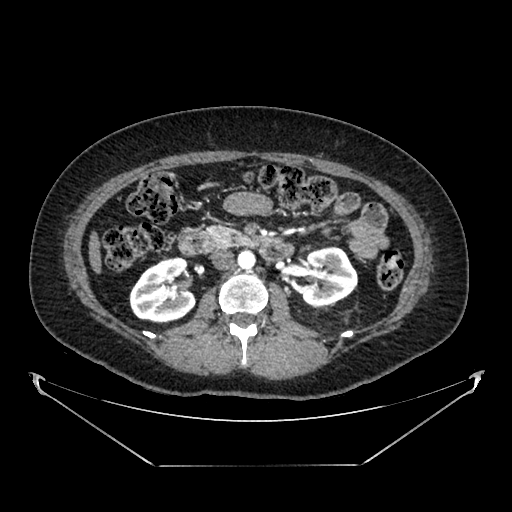
Axial slice 222 of 383 of a contrast-enhanced abdominal CT in the arterial phase (slice 1 is the lowest), 100 kVp, kernel SOFT; 1.25 mm slice thickness and 0.898 mm pixels.
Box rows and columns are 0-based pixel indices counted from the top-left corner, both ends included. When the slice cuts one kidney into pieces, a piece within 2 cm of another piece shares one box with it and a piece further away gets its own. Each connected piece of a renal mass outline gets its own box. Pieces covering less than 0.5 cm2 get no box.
Boxed on this slice (two kidney boxes), listed by box centre from the image's left to its right: (1) Right kidney, box rows 257–323, columns 129–196 (outlined area 3,347 px, about 27.0 cm2). (2) Left kidney, box rows 246–305, columns 301–357 (outlined area 2,657 px, about 21.4 cm2). No renal mass outline on this slice.